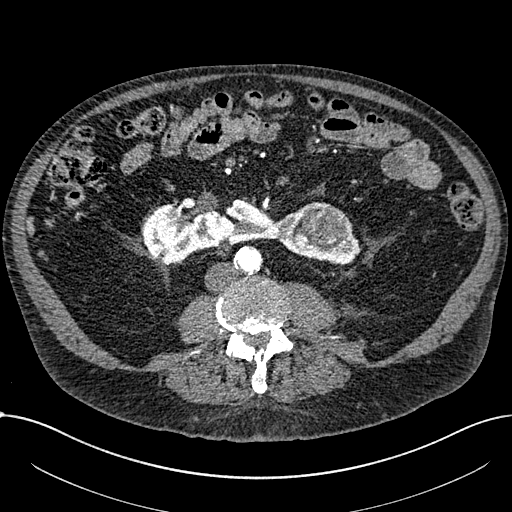
Axial slice 290 of 1059 of a contrast-enhanced abdominal CT in the arterial phase (slice 1 is the lowest), 100 kVp, kernel I30f; 1.00 mm slice thickness and 0.811 mm pixels.
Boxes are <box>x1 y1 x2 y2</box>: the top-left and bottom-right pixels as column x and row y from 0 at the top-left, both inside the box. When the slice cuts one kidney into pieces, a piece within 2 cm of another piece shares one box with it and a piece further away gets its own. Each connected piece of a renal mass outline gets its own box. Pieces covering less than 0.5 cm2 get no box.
Boxed on this slice (one kidney box and one renal mass box), listed by box centre from the image's left to its right: (1) At <box>142 198 360 265</box>: kidney crossing the body midline (outlined area 7,767 px, about 51.0 cm2). (2) At <box>294 202 351 249</box>: renal mass (outlined area 2,039 px, about 13.4 cm2).